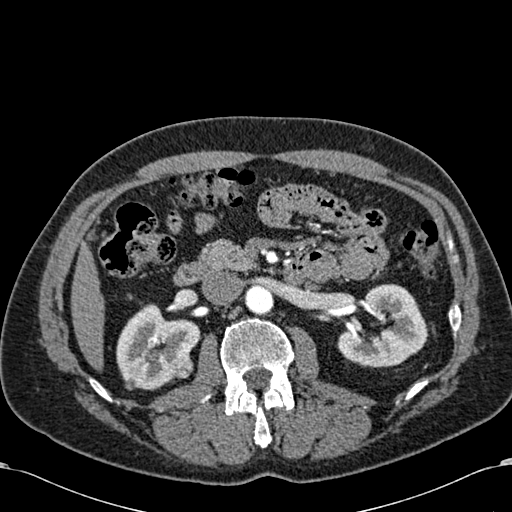
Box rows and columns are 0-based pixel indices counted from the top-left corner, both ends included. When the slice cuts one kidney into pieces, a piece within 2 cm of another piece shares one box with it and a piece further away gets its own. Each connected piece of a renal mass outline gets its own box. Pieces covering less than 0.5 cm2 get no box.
This is axial slice 360 of 581 (slice 1 is the lowest) of an arterial-phase abdominal CT with contrast; each pixel is 0.713 mm and the slice is 1.00 mm thick. Three boxes on this slice (two kidney boxes and one renal mass box), listed by box centre from the image's left to its right. (1) Right kidney at rows 303–390, columns 116–200 (outlined area 4,654 px, about 23.7 cm2). (2) Right renal mass at rows 353–378, columns 166–193 (outlined area 556 px, about 2.8 cm2). (3) Left kidney at rows 284–367, columns 337–427 (outlined area 5,066 px, about 25.7 cm2).
Scan settings: 120 kVp, B30f reconstruction kernel.